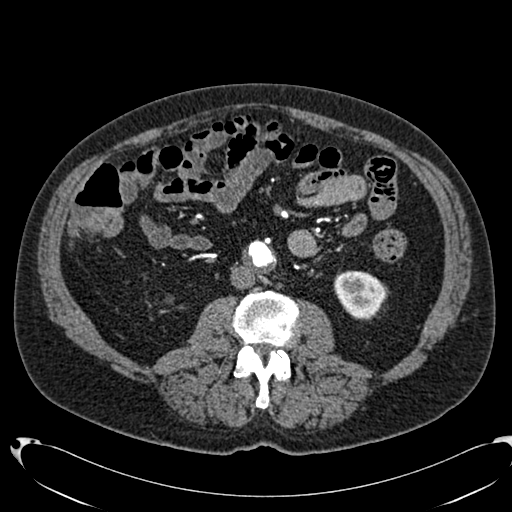
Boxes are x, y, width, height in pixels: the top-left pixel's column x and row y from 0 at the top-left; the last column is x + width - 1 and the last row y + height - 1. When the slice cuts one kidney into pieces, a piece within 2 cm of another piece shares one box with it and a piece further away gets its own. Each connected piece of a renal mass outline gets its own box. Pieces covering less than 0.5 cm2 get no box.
This is axial slice 332 of 553 (slice 1 is the lowest) of an arterial-phase abdominal CT with contrast; each pixel is 0.773 mm and the slice is 1.00 mm thick. Left kidney, box x 333, y 270, width 52, height 49 (outlined area 1,881 px, about 11.3 cm2). This slice carries no renal mass outline.
Tube voltage 120 kVp; convolution kernel B20f.